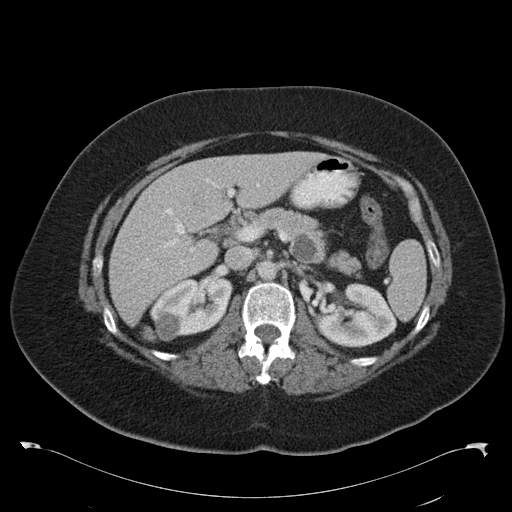
Axial slice 67 of 97 of a contrast-enhanced abdominal CT in the arterial phase (slice 1 is the lowest), 120 kVp, kernel B30f; 5.00 mm slice thickness and 0.824 mm pixels.
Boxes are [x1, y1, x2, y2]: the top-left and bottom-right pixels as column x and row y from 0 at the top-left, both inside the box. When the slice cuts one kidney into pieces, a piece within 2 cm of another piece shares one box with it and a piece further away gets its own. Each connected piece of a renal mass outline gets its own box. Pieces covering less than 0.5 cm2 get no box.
Two kidney boxes and one renal mass box on this slice; by box centre, from the image's left to its right: (1) Box [154, 313, 179, 341]: right renal mass (outlined area 526 px, about 3.6 cm2). (2) Right kidney, box [150, 278, 232, 335] (outlined area 3,278 px, about 22.3 cm2). (3) Left kidney at [315, 284, 396, 347] (outlined area 3,640 px, about 24.7 cm2).